Axial slice 305 of 738 of a contrast-enhanced abdominal CT in the arterial phase (slice 1 is the lowest), 120 kVp, kernel I30f; 1.00 mm slice thickness and 0.789 mm pixels.
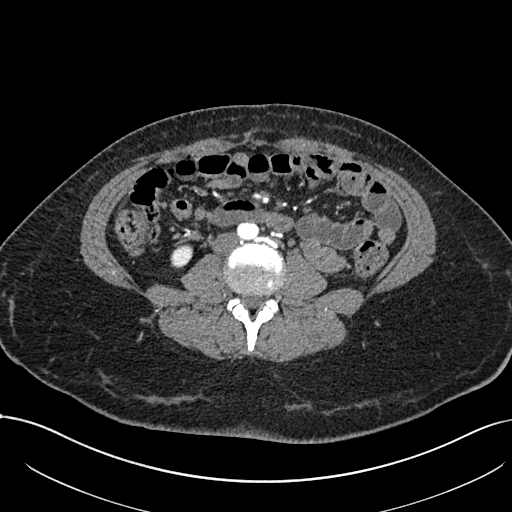
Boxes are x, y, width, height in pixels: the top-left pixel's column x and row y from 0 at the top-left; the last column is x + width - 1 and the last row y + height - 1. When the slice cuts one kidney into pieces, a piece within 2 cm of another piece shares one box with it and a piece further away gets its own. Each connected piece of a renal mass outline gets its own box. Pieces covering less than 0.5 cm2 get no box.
Right kidney, box x 170, y 244, width 23, height 25 (outlined area 424 px, about 2.6 cm2). No renal mass outline on this slice.